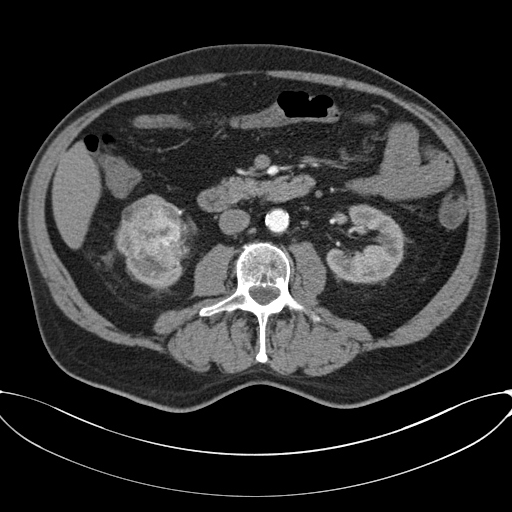
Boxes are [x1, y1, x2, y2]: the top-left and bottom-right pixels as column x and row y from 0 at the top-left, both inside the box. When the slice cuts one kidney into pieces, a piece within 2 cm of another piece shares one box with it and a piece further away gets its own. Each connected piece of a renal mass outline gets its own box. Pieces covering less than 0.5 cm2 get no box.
This is axial slice 29 of 80 (slice 1 is the lowest) of an abdominal CT with contrast; each pixel is 0.822 mm and the slice is 3.00 mm thick. Two kidney boxes and one renal mass box on this slice; by box centre, from the image's left to its right: (1) Box [126, 259, 182, 288]: right kidney (outlined area 963 px, about 6.5 cm2). (2) Box [114, 194, 195, 268]: right renal mass (outlined area 4,277 px, about 28.9 cm2). (3) Left kidney, box [327, 205, 407, 284] (outlined area 4,001 px, about 27.1 cm2).
Acquired at 120 kVp and reconstructed with the B30f kernel.